Arterial-phase contrast-enhanced abdominal CT, axial slice 158 of 345 (counted from the lowest slice); tube voltage 120 kVp, convolution kernel I31f; slices 2.00 mm thick, 0.977 mm per pixel.
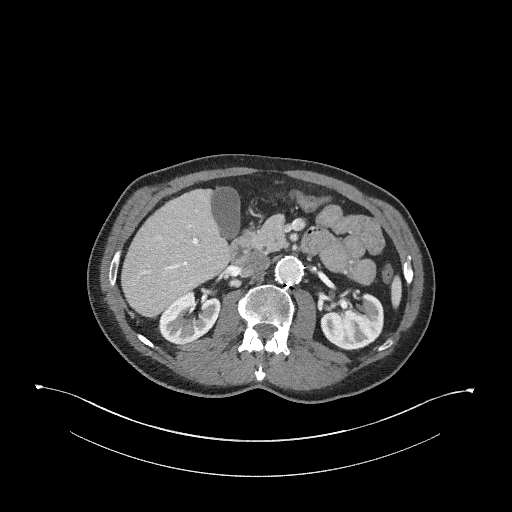
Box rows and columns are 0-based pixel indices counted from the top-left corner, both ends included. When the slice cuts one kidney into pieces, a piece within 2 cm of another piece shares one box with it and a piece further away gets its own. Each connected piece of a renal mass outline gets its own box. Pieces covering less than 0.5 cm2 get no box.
Boxed on this slice (two kidney boxes), listed by box centre from the image's left to its right: (1) Box rows 291–345, columns 158–220: right kidney (outlined area 2,354 px, about 22.4 cm2). (2) Left kidney, box rows 292–350, columns 320–383 (outlined area 2,643 px, about 25.2 cm2). This slice carries no renal mass outline.